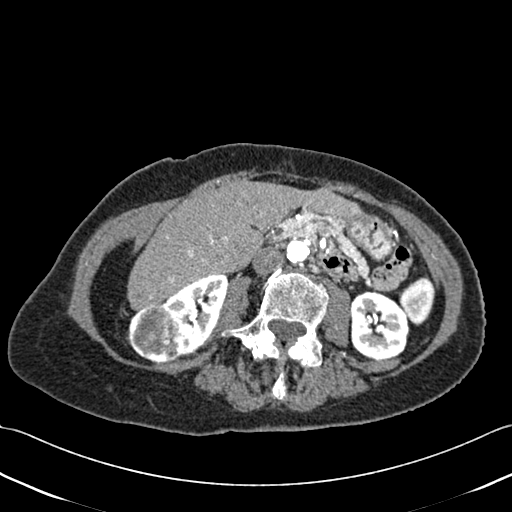
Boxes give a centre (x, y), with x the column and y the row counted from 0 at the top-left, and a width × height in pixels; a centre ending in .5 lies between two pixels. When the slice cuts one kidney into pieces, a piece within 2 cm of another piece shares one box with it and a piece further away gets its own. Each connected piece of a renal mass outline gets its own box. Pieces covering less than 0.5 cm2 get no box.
Contrast-enhanced abdominal CT, axial slice 211 of 433 (counted from the lowest slice); 1.00 mm thick, 0.672 mm per pixel. Two kidney boxes and one renal mass box on this slice; by box centre, from the image's left to its right: (1) Box centre (154.5, 332.5), 58 × 60 pixels: right renal mass (outlined area 2,638 px, about 11.9 cm2). (2) Box centre (195, 316), 69 × 85 pixels: right kidney (outlined area 2,988 px, about 13.5 cm2). (3) Box centre (379.5, 324.5), 60 × 70 pixels: left kidney (outlined area 3,337 px, about 15.1 cm2).
Acquired at 120 kVp and reconstructed with the B30f kernel.